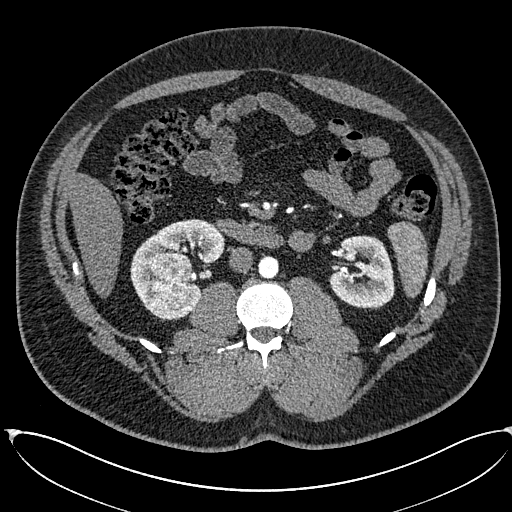
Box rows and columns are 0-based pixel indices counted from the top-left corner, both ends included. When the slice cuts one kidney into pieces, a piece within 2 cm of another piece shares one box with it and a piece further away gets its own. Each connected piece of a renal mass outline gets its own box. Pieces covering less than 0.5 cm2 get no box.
This is axial slice 318 of 673 (slice 1 is the lowest) of an arterial-phase abdominal CT with contrast; each pixel is 0.855 mm and the slice is 1.00 mm thick. Three boxes on this slice (two kidney boxes and one renal mass box), listed by box centre from the image's left to its right. (1) Box rows 252–311, columns 148–192: right renal mass (outlined area 2,247 px, about 16.4 cm2). (2) Right kidney at rows 218–320, columns 130–224 (outlined area 4,322 px, about 31.6 cm2). (3) Box rows 235–309, columns 328–394: left kidney (outlined area 3,760 px, about 27.5 cm2).
Acquired at 120 kVp and reconstructed with the I30f kernel.